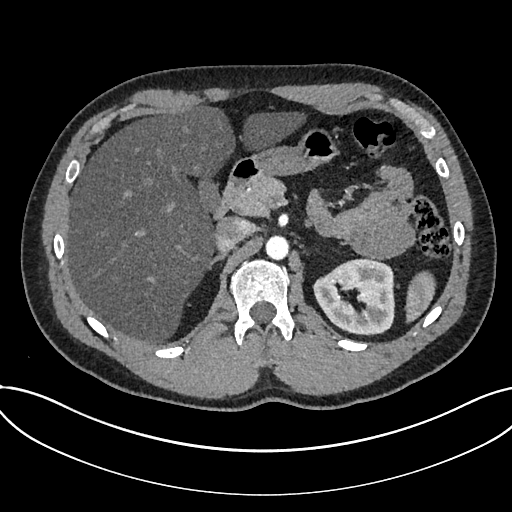
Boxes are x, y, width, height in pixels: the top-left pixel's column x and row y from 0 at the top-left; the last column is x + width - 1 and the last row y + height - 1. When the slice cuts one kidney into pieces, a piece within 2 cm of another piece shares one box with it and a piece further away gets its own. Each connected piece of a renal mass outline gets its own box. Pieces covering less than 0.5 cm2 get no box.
Slice 498/735 of a contrast-enhanced abdominal CT in the arterial phase, counting up from the lowest; pixel size 0.789 mm, slice thickness 1.00 mm. Kidney at x 313, y 258, width 82, height 78 (outlined area 4,783 px, about 29.8 cm2). This slice carries no renal mass outline.
Scan settings: 120 kVp, I30f reconstruction kernel.